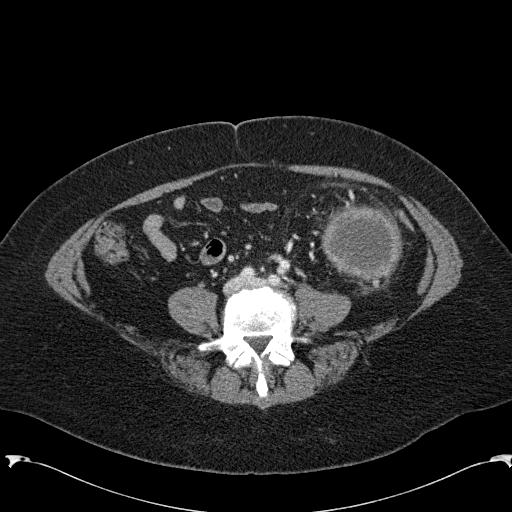
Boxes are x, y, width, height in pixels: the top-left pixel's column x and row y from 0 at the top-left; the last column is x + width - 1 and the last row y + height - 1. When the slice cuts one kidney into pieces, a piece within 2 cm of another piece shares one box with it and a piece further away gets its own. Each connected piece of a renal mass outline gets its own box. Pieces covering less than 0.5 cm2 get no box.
Slice 26/285 of a contrast-enhanced abdominal CT in the arterial phase, counting up from the lowest; pixel size 0.762 mm, slice thickness 2.00 mm. Left renal mass, box x 321, y 204, width 81, height 77 (outlined area 4,852 px, about 28.2 cm2); this slice has no kidney outline, though on another slice the same outlined renal mass lies within 1 cm of the kidney.
Scan settings: 120 kVp, B31f reconstruction kernel.